One axial slice (39 of 60, counting up from the lowest) of a contrast-enhanced abdominal CT acquired with 120 kVp, kernel I30f; each pixel is 0.971 mm and the slice is 5.00 mm thick.
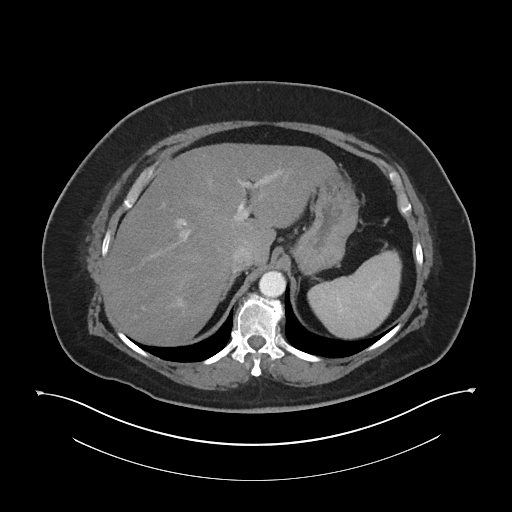
No kidney and no renal mass is outlined on this slice; the outlines in this scan cover only the kidneys and the renal masses, so nothing is said about any other organ.